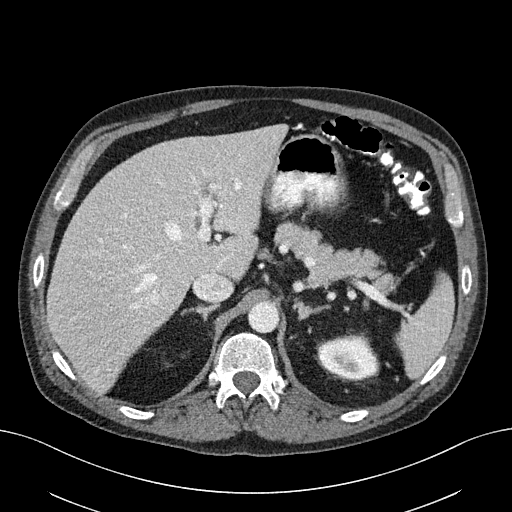
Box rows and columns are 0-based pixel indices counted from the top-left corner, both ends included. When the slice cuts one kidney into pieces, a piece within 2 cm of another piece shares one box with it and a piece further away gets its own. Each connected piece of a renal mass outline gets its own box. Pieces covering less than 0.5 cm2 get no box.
Slice 131/163 of a contrast-enhanced abdominal CT, counting up from the lowest; pixel size 0.799 mm, slice thickness 3.00 mm. Left kidney, box rows 334–380, columns 317–378 (outlined area 2,211 px, about 14.1 cm2). No renal mass outline on this slice.
Scan settings: 100 kVp, I40f reconstruction kernel.